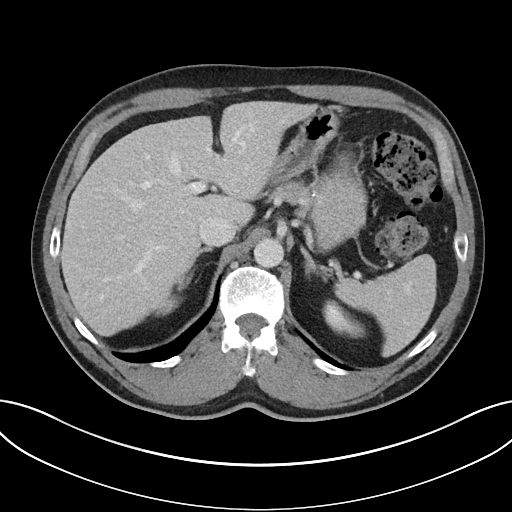
Arterial-phase contrast-enhanced abdominal CT, axial slice 27 of 32 (counted from the lowest slice); tube voltage 100 kVp, convolution kernel I40f; slices 5.00 mm thick, 0.779 mm per pixel.
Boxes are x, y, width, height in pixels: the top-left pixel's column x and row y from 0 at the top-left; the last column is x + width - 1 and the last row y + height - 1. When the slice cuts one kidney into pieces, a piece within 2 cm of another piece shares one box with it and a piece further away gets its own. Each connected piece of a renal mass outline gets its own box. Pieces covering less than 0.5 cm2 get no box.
Boxed on this slice (two kidney boxes), listed by box centre from the image's left to its right: (1) Right kidney, box x 154, y 293, width 29, height 24 (outlined area 359 px, about 2.2 cm2). (2) Left kidney at x 322, y 299, width 44, height 40 (outlined area 995 px, about 6.0 cm2). No renal mass outline on this slice.